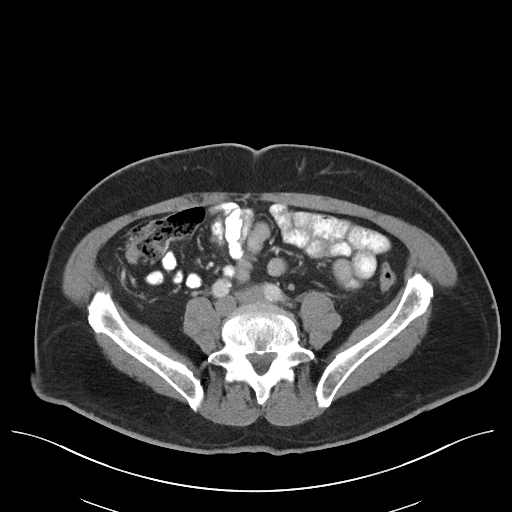
Arterial-phase contrast-enhanced abdominal CT, axial slice 43 of 96 (counted from the lowest slice); 5.00 mm thick, 0.840 mm per pixel. No kidney and no renal mass is outlined on this slice; the outlines in this scan cover only the kidneys and the renal masses, so nothing is said about any other organ.
Tube voltage 120 kVp; convolution kernel I40f.